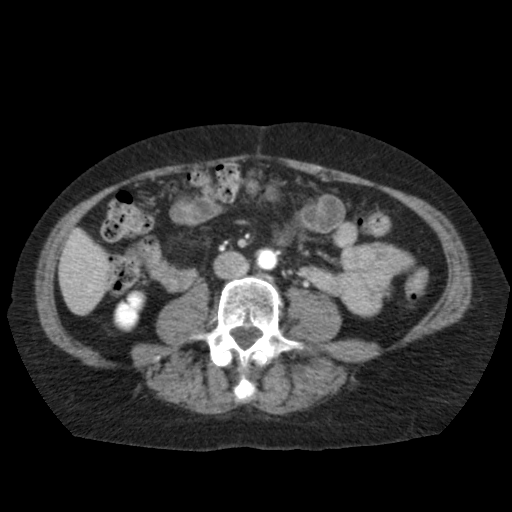
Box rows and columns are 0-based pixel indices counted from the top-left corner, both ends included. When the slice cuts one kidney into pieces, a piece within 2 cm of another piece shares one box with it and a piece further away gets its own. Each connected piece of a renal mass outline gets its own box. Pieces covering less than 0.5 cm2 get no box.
Slice 47/79 of a contrast-enhanced abdominal CT in the arterial phase, counting up from the lowest; pixel size 0.686 mm, slice thickness 5.00 mm. Right kidney at rows 289–331, columns 113–146 (outlined area 953 px, about 4.5 cm2). No renal mass outline on this slice.
Acquired at 120 kVp and reconstructed with the FC11 kernel.